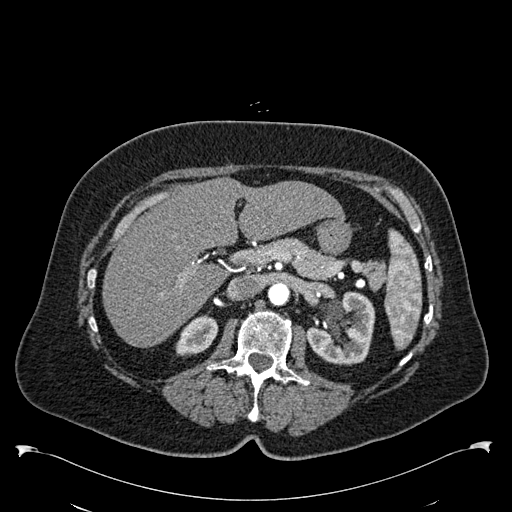
Arterial-phase contrast-enhanced abdominal CT, axial slice 368 of 538 (counted from the lowest slice); tube voltage 120 kVp, convolution kernel B30f; slices 1.00 mm thick, 0.811 mm per pixel.
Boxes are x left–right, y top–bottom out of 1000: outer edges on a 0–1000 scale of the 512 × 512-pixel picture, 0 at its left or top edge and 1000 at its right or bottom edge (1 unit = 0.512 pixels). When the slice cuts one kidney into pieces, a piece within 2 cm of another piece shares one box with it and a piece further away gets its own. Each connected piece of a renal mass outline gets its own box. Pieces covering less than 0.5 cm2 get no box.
Two boxes on this slice (two kidney boxes), listed by box centre from the image's left to its right. (1) Right kidney at x 342–428, y 615–695 out of 1000 (outlined area 1,228 px, about 8.1 cm2). (2) Left kidney, box x 598–734, y 568–713 out of 1000 (outlined area 3,624 px, about 23.8 cm2). No renal mass is outlined on this slice.